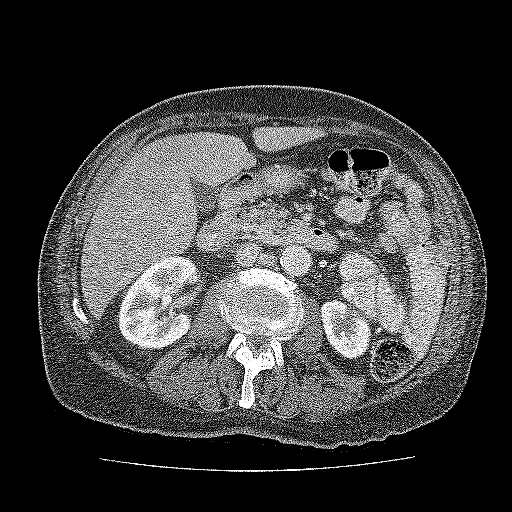
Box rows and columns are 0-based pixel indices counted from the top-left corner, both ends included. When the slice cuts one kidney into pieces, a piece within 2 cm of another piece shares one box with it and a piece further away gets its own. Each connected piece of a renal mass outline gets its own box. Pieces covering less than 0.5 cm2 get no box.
This is axial slice 91 of 137 (slice 1 is the lowest) of an abdominal CT with contrast; each pixel is 0.741 mm and the slice is 3.00 mm thick. Boxed on this slice (two kidney boxes), listed by box centre from the image's left to its right: (1) Kidney, box rows 256–348, columns 116–199 (outlined area 5,630 px, about 30.9 cm2). (2) Kidney, box rows 301–359, columns 321–371 (outlined area 2,205 px, about 12.1 cm2). No renal mass outline on this slice.
Tube voltage 120 kVp; convolution kernel FC52.